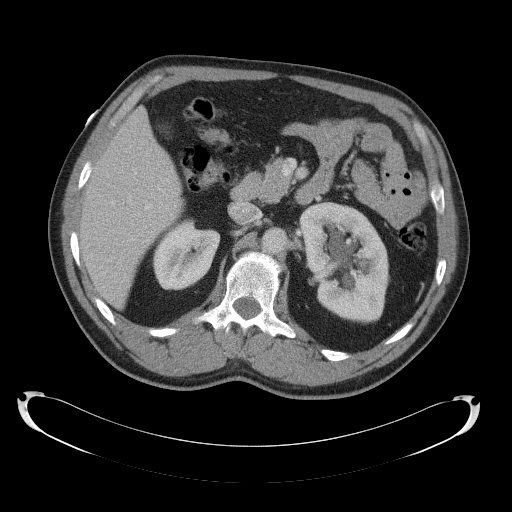
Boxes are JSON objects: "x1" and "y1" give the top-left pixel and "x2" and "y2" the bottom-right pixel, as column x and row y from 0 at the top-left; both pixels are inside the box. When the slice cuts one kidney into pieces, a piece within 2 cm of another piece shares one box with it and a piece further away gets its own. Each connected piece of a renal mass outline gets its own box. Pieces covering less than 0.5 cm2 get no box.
Contrast-enhanced abdominal CT, axial slice 74 of 145 (counted from the lowest slice); 5.00 mm thick, 0.859 mm per pixel. Two kidney boxes on this slice; by box centre, from the image's left to its right: (1) Right kidney, box {"x1": 152, "y1": 218, "x2": 220, "y2": 290} (outlined area 3,481 px, about 25.7 cm2). (2) Left kidney, box {"x1": 298, "y1": 201, "x2": 389, "y2": 323} (outlined area 8,315 px, about 61.4 cm2). This slice carries no renal mass outline.
Tube voltage 120 kVp; convolution kernel B41f.